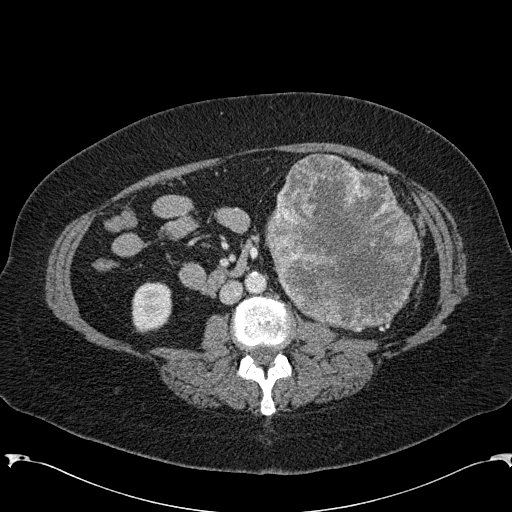
One axial slice (98 of 285, counting up from the lowest) of an arterial-phase abdominal CT acquired with 120 kVp, kernel B31f; each pixel is 0.762 mm and the slice is 2.00 mm thick.
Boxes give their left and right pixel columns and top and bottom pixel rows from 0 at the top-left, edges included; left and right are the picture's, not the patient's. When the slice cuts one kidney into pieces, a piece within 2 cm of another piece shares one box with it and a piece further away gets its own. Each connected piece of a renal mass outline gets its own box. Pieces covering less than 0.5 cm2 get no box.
One kidney box and one renal mass box on this slice; by box centre, from the image's left to its right: (1) Right kidney in the box with left 131, top 282, right 172, bottom 333 (outlined area 1,725 px, about 10.0 cm2). (2) Box with left 265, top 153, right 422, bottom 331: left renal mass (outlined area 20,622 px, about 119.7 cm2); it sits over 1 cm from every kidney outline on this slice, but the same outlined renal mass comes within 1 cm of the kidney on another slice.